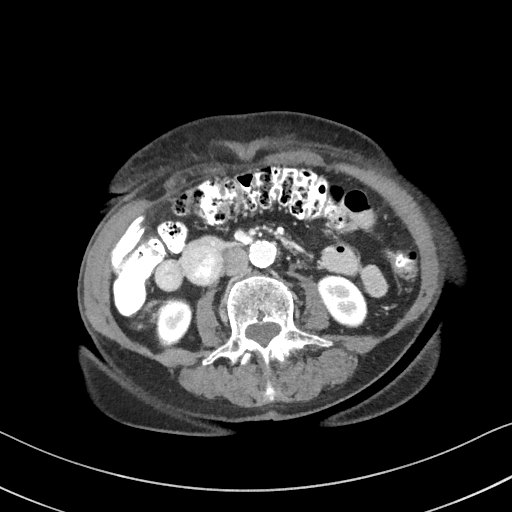
One axial slice (44 of 92, counting up from the lowest) of a contrast-enhanced abdominal CT acquired with 100 kVp, kernel I41f; each pixel is 0.684 mm and the slice is 3.00 mm thick.
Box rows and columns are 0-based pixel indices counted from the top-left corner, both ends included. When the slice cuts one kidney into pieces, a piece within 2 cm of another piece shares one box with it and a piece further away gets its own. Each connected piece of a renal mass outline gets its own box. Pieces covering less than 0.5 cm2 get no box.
Two boxes on this slice (two kidney boxes), listed by box centre from the image's left to its right. (1) Box rows 301–344, columns 156–191: right kidney (outlined area 1,201 px, about 5.6 cm2). (2) Left kidney at rows 275–328, columns 317–367 (outlined area 1,896 px, about 8.9 cm2). No renal mass outline on this slice.